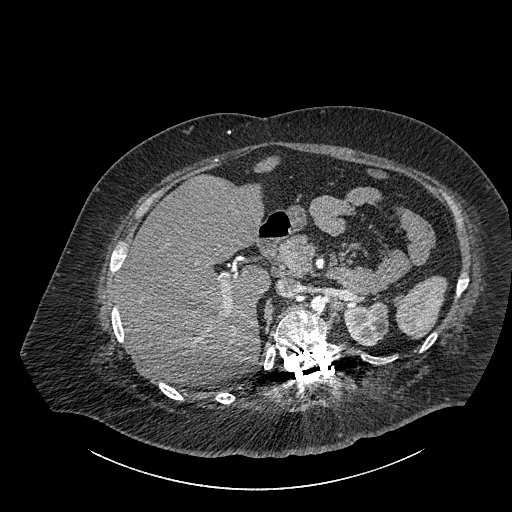
Abdominal CT with intravenous contrast, axial plane, 140 kVp, kernel I30f. Slice 616/834 from the bottom of the scan; thickness 1.00 mm; pixel size 0.977 mm.
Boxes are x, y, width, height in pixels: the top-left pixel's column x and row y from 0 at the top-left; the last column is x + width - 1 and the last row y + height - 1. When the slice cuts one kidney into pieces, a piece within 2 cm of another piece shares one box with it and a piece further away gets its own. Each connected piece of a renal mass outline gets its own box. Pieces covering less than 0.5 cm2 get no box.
Left part of the midline-crossing kidney at x 343, y 301, width 47, height 46 (outlined area 1,562 px, about 14.9 cm2). This slice carries no renal mass outline.